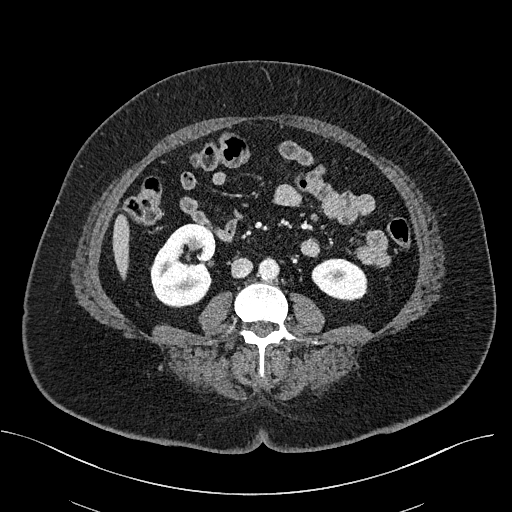
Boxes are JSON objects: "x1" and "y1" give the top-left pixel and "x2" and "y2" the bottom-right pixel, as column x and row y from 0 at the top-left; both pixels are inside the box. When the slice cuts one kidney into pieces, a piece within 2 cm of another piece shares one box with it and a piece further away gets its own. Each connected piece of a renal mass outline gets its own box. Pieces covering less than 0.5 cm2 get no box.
This is axial slice 263 of 470 (slice 1 is the lowest) of an abdominal CT with contrast; each pixel is 0.824 mm and the slice is 2.00 mm thick. Two boxes on this slice (two kidney boxes), listed by box centre from the image's left to its right. (1) Box {"x1": 150, "y1": 223, "x2": 216, "y2": 307}: right kidney (outlined area 4,134 px, about 28.1 cm2). (2) Left kidney at {"x1": 311, "y1": 258, "x2": 367, "y2": 300} (outlined area 1,836 px, about 12.5 cm2). No renal mass outline on this slice.
Acquired at 100 kVp and reconstructed with the I40f kernel.